Contrast-enhanced abdominal CT, axial slice 92 of 197 (counted from the lowest slice); tube voltage 120 kVp, convolution kernel I30f; slices 5.00 mm thick, 0.791 mm per pixel.
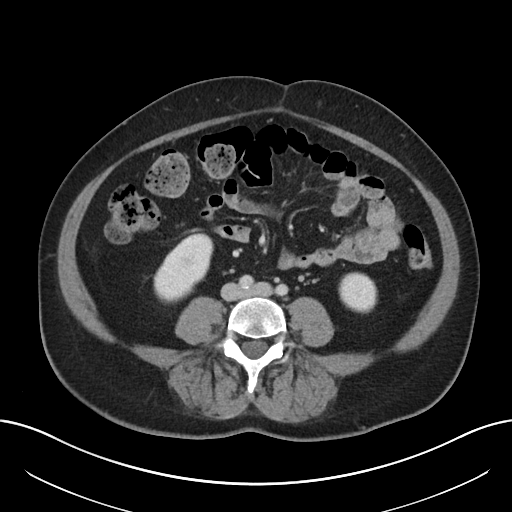
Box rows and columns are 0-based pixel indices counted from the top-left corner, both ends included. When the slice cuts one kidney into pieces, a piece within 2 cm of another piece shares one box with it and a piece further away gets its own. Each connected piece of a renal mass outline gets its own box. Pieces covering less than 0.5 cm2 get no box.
Boxed on this slice (two kidney boxes), listed by box centre from the image's left to its right: (1) Right kidney at rows 232–303, columns 153–213 (outlined area 2,819 px, about 17.6 cm2). (2) Box rows 272–313, columns 338–377: left kidney (outlined area 1,307 px, about 8.2 cm2). This slice carries no renal mass outline.